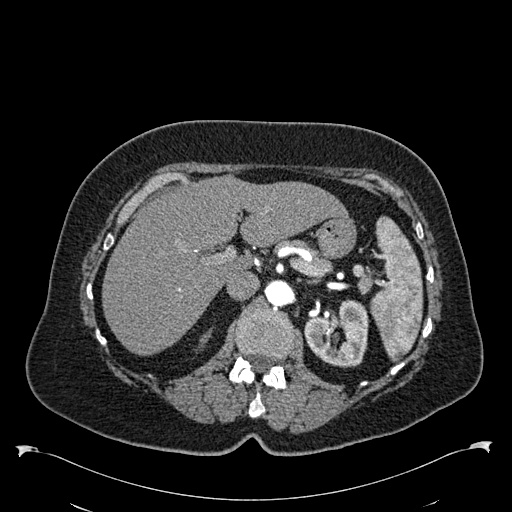
Abdominal CT with intravenous contrast, arterial phase, axial plane, 120 kVp, kernel B30f. Slice 391/538 from the bottom of the scan; thickness 1.00 mm; pixel size 0.811 mm.
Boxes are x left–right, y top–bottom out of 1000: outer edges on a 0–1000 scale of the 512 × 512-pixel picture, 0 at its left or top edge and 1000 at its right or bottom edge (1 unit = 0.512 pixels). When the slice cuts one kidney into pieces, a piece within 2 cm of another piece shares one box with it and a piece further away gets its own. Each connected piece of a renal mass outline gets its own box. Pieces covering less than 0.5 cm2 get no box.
Boxed on this slice (two kidney boxes), listed by box centre from the image's left to its right: (1) Right kidney, box x 387–414, y 643–682 out of 1000 (outlined area 123 px, about 0.8 cm2). (2) Box x 594–721, y 584–719 out of 1000: left kidney (outlined area 3,196 px, about 21.0 cm2). This slice carries no renal mass outline.